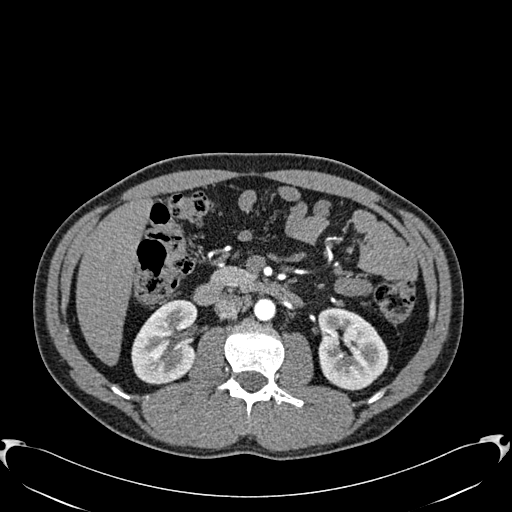
Abdominal CT with intravenous contrast, arterial phase, axial plane, 120 kVp, kernel B30f. Slice 340/512 from the bottom of the scan; thickness 1.00 mm; pixel size 0.771 mm.
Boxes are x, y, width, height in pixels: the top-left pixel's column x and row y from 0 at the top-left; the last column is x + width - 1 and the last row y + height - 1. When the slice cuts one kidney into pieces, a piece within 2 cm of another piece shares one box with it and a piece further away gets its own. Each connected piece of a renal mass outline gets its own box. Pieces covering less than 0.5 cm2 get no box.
Two kidney boxes on this slice; by box centre, from the image's left to its right: (1) Right kidney at x 131, y 299, width 67, height 86 (outlined area 4,302 px, about 25.6 cm2). (2) Box x 317, y 307, width 72, height 84: left kidney (outlined area 4,511 px, about 26.8 cm2). No renal mass is outlined on this slice.